Axial slice 126 of 269 of a contrast-enhanced abdominal CT (slice 1 is the lowest), 100 kVp, kernel I30f; 5.00 mm slice thickness and 0.732 mm pixels.
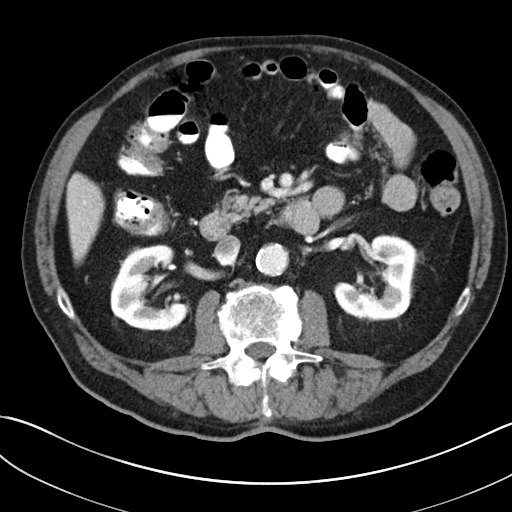
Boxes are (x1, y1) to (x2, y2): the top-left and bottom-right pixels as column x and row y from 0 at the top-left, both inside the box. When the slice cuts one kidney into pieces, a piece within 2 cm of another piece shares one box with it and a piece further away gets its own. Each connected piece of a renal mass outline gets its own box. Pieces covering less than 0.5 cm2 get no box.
Two kidney boxes on this slice; by box centre, from the image's left to its right: (1) Box (110, 244) to (188, 330): right kidney (outlined area 4,578 px, about 24.6 cm2). (2) Box (333, 234) to (419, 322): left kidney (outlined area 4,835 px, about 25.9 cm2).